Abdominal CT with intravenous contrast, axial plane, 100 kVp, kernel I40f. Slice 50/80 from the bottom of the scan; thickness 5.00 mm; pixel size 0.703 mm.
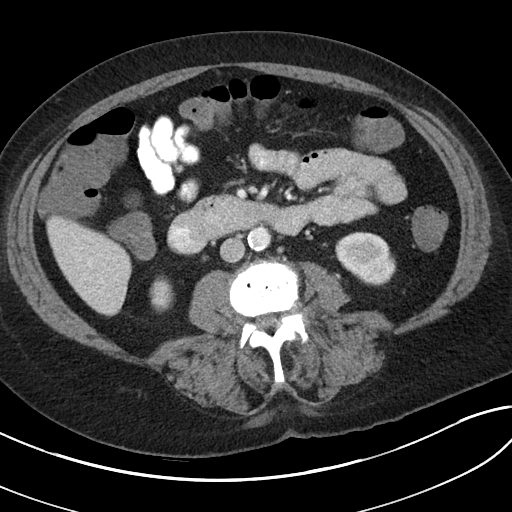
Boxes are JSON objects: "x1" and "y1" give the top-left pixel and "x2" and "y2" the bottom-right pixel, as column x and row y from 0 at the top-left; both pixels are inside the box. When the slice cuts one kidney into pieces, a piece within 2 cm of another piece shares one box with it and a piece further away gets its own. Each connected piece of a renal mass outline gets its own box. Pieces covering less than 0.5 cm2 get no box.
Two kidney boxes on this slice; by box centre, from the image's left to its right: (1) Right kidney at {"x1": 149, "y1": 275, "x2": 174, "y2": 312} (outlined area 691 px, about 3.4 cm2). (2) Left kidney at {"x1": 335, "y1": 231, "x2": 395, "y2": 285} (outlined area 2,427 px, about 12.0 cm2). This slice carries no renal mass outline.